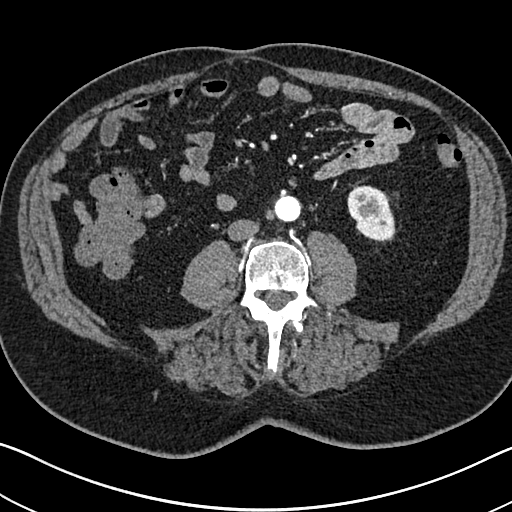
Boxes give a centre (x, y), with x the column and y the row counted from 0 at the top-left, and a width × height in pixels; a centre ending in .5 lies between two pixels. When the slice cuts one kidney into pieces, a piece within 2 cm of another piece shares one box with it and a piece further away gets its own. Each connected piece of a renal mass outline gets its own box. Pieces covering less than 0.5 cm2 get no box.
Slice 289/705 of a contrast-enhanced abdominal CT in the arterial phase, counting up from the lowest; pixel size 0.703 mm, slice thickness 1.00 mm. Left kidney in a box with centre (371.5, 213.5), 50 × 58 pixels (outlined area 2,075 px, about 10.3 cm2). No renal mass is outlined on this slice.
Tube voltage 120 kVp; convolution kernel I30f.